Abdominal CT with intravenous contrast, axial plane, 120 kVp, kernel FC18. Slice 52/91 from the bottom of the scan; thickness 5.00 mm; pixel size 0.766 mm.
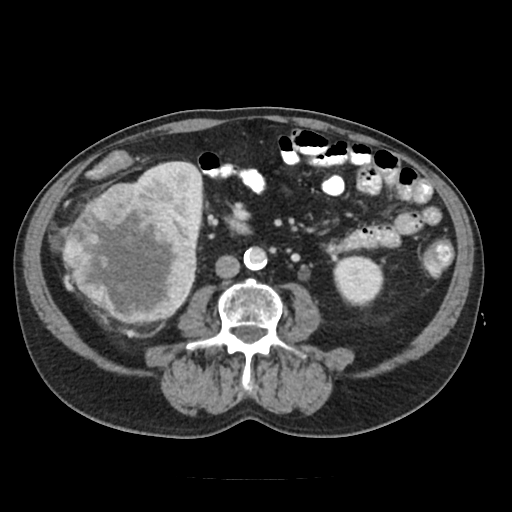
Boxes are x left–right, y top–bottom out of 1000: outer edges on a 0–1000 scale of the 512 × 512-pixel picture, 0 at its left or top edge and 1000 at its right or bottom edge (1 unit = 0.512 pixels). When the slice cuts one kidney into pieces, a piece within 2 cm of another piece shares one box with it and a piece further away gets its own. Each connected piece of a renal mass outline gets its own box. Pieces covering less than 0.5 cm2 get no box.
Boxed on this slice (two kidney boxes and one renal mass box), listed by box centre from the image's left to its right: (1) Right renal mass, box x 123–385, y 357–633 out of 1000 (outlined area 13,451 px, about 78.9 cm2). (2) Right kidney at x 264–396, y 314–488 out of 1000 (outlined area 3,021 px, about 17.7 cm2). (3) Left kidney at x 650–752, y 496–605 out of 1000 (outlined area 2,151 px, about 12.6 cm2).